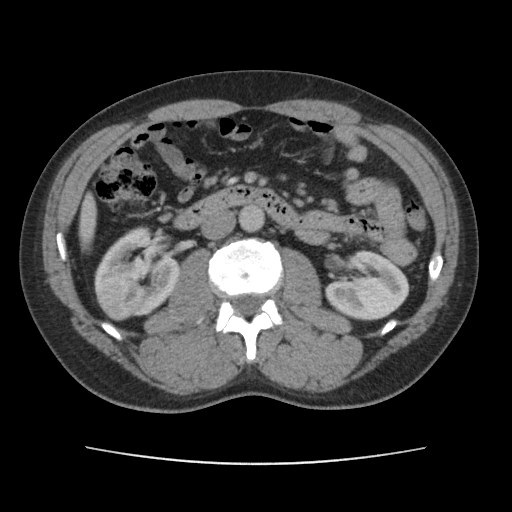
Axial slice 64 of 101 of a contrast-enhanced abdominal CT in the arterial phase (slice 1 is the lowest), 120 kVp, kernel FC14; 5.00 mm slice thickness and 0.755 mm pixels.
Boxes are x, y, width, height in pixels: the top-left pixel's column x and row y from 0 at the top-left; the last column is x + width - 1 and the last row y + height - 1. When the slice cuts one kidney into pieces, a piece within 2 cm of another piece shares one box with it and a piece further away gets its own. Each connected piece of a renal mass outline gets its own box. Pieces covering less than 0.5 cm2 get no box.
Two kidney boxes and one renal mass box on this slice; by box centre, from the image's left to its right: (1) Right renal mass at x 96, y 277, width 49, height 45 (outlined area 1,611 px, about 9.2 cm2). (2) Right kidney, box x 94, y 226, width 87, height 91 (outlined area 4,190 px, about 23.9 cm2). (3) Left kidney, box x 325, y 250, width 85, height 71 (outlined area 4,410 px, about 25.1 cm2).